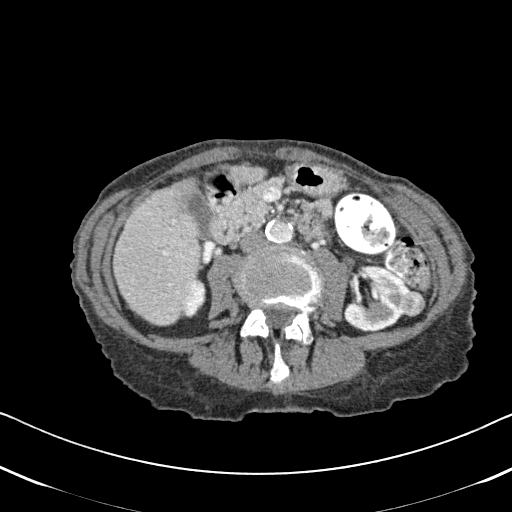
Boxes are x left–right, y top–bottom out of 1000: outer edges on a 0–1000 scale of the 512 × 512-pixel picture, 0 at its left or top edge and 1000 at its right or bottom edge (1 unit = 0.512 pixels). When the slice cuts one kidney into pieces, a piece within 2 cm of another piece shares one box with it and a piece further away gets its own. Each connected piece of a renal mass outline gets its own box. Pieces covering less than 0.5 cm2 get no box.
Slice 270/620 of a contrast-enhanced abdominal CT in the arterial phase, counting up from the lowest; pixel size 0.637 mm, slice thickness 2.00 mm. Three boxes on this slice (two kidney boxes and one renal mass box), listed by box centre from the image's left to its right. (1) Right kidney, box x 357–404, y 545–623 out of 1000 (outlined area 689 px, about 2.8 cm2). (2) Box x 668–805, y 514–650 out of 1000: left kidney (outlined area 3,107 px, about 12.6 cm2). (3) Left renal mass at x 777–832, y 566–621 out of 1000 (outlined area 576 px, about 2.3 cm2).
Acquired at 120 kVp and reconstructed with the B31f kernel.